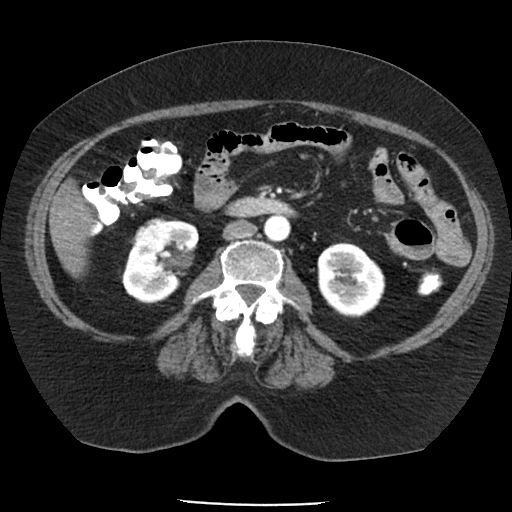
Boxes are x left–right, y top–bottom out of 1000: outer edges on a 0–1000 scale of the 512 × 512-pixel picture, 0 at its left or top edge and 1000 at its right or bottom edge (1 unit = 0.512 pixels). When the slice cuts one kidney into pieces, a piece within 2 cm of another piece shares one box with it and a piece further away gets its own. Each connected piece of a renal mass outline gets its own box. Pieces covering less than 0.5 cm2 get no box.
Arterial-phase contrast-enhanced abdominal CT, axial slice 51 of 85 (counted from the lowest slice); 5.00 mm thick, 0.741 mm per pixel. Three boxes on this slice (two kidney boxes and one renal mass box), listed by box centre from the image's left to its right. (1) Right renal mass, box x 256–334, y 424–496 out of 1000 (outlined area 1,045 px, about 5.7 cm2). (2) Right kidney, box x 236–389, y 428–594 out of 1000 (outlined area 3,731 px, about 20.5 cm2). (3) Left kidney, box x 619–754, y 473–621 out of 1000 (outlined area 3,942 px, about 21.6 cm2).
Acquired at 120 kVp and reconstructed with the FC19 kernel.